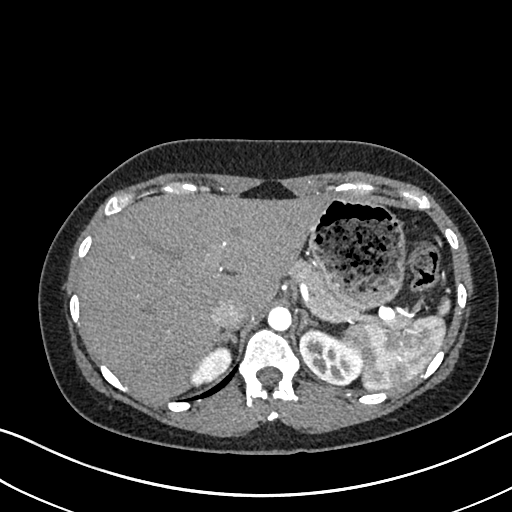
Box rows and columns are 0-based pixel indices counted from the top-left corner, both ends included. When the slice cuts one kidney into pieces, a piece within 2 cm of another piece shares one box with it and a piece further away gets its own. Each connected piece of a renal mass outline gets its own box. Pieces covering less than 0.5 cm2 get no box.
This is axial slice 537 of 612 (slice 1 is the lowest) of an arterial-phase abdominal CT with contrast; each pixel is 0.703 mm and the slice is 1.00 mm thick. Two boxes on this slice (two kidney boxes), listed by box centre from the image's left to its right. (1) Box rows 346–386, columns 190–232: right kidney (outlined area 1,025 px, about 5.1 cm2). (2) Left kidney, box rows 327–385, columns 299–363 (outlined area 2,538 px, about 12.5 cm2). No renal mass outline on this slice.
Tube voltage 120 kVp; convolution kernel I30f.